Axial slice 12 of 76 of a contrast-enhanced abdominal CT (slice 1 is the lowest), 120 kVp, kernel STANDARD; 2.50 mm slice thickness and 0.586 mm pixels.
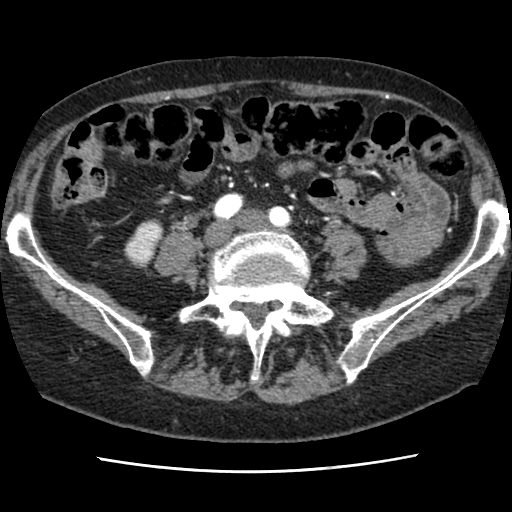
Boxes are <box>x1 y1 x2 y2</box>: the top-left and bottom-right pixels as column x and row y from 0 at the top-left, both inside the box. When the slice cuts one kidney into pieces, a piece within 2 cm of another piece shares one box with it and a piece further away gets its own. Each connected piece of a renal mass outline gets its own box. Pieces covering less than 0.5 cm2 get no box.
Right kidney: <box>123 219 163 267</box> (outlined area 1,286 px, about 4.4 cm2). This slice carries no renal mass outline.